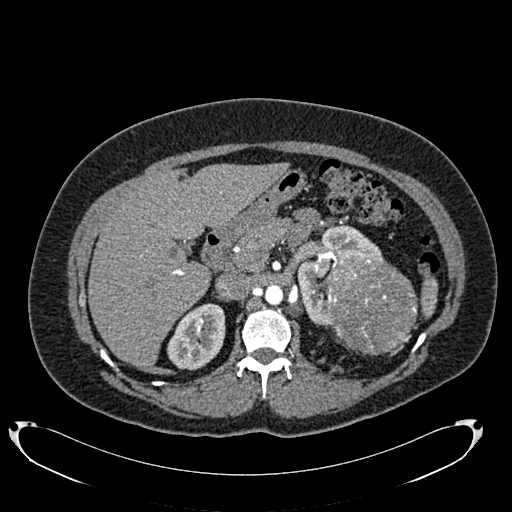
Arterial-phase contrast-enhanced abdominal CT, axial slice 491 of 634 (counted from the lowest slice); tube voltage 120 kVp, convolution kernel B20f; slices 1.00 mm thick, 0.838 mm per pixel.
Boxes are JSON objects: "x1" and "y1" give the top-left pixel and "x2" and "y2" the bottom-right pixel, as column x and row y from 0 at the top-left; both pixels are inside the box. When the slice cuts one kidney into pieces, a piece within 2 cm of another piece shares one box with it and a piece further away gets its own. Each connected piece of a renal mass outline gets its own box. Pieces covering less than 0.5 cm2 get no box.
Two kidney boxes and one renal mass box on this slice; by box centre, from the image's left to its right: (1) Right kidney, box {"x1": 167, "y1": 303, "x2": 225, "y2": 370} (outlined area 2,892 px, about 20.3 cm2). (2) Left kidney, box {"x1": 297, "y1": 225, "x2": 383, "y2": 325} (outlined area 3,416 px, about 24.0 cm2). (3) Left renal mass, box {"x1": 323, "y1": 254, "x2": 417, "y2": 355} (outlined area 7,425 px, about 52.1 cm2).